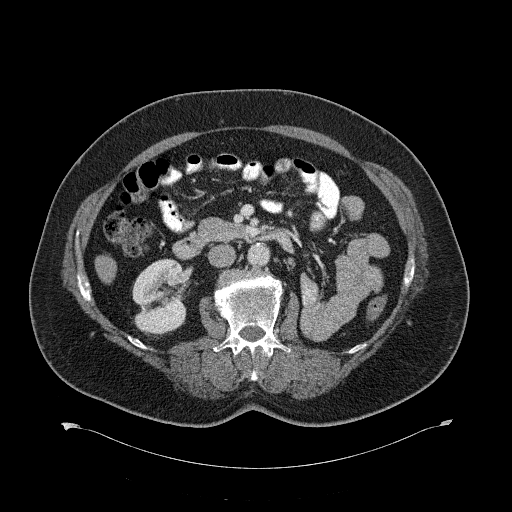
One axial slice (356 of 734, counting up from the lowest) of a contrast-enhanced abdominal CT acquired with 120 kVp, kernel B31f; each pixel is 0.971 mm and the slice is 2.00 mm thick.
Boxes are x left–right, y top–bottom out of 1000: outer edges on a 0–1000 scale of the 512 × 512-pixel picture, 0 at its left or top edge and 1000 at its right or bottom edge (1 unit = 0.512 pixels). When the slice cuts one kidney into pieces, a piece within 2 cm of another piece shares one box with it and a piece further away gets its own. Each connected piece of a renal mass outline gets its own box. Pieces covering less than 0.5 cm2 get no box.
Right kidney, box x 258–373, y 504–658 out of 1000 (outlined area 3,534 px, about 33.3 cm2). No renal mass is outlined on this slice.